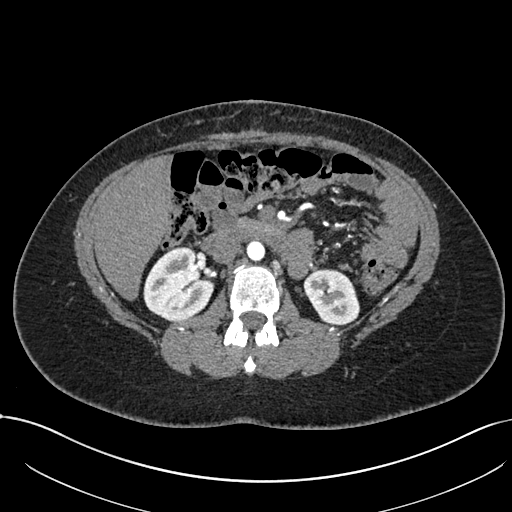
One axial slice (416 of 738, counting up from the lowest) of an arterial-phase abdominal CT acquired with 120 kVp, kernel I30f; each pixel is 0.789 mm and the slice is 1.00 mm thick.
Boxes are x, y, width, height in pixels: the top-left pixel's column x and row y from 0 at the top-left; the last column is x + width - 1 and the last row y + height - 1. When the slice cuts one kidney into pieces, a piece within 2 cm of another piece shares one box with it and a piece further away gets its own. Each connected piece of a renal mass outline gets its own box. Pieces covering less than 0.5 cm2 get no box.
Boxed on this slice (two kidney boxes), listed by box centre from the image's left to its right: (1) Box x 143, y 246, width 72, height 76: right kidney (outlined area 3,961 px, about 24.7 cm2). (2) Box x 303, y 268, width 57, height 58: left kidney (outlined area 2,383 px, about 14.8 cm2). No renal mass outline on this slice.